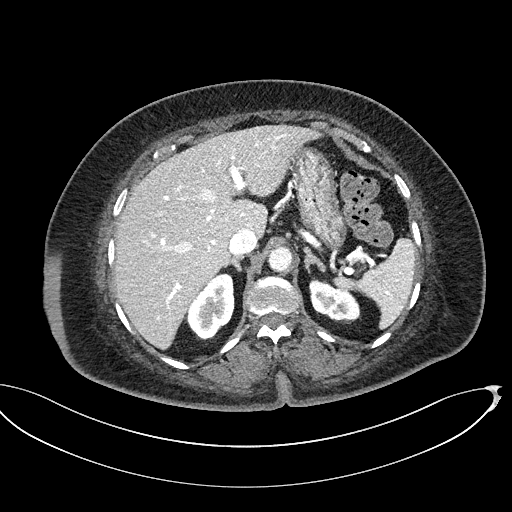
Abdominal CT with intravenous contrast, axial plane, 100 kVp, kernel I40f. Slice 355/439 from the bottom of the scan; thickness 2.00 mm; pixel size 0.850 mm.
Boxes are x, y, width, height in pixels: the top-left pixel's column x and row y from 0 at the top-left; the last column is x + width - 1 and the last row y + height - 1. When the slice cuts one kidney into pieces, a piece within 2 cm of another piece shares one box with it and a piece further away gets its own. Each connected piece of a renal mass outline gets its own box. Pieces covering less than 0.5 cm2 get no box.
Two kidney boxes on this slice; by box centre, from the image's left to its right: (1) Box x 187, y 273, width 48, height 68: right kidney (outlined area 2,272 px, about 16.4 cm2). (2) Box x 309, y 278, width 52, height 46: left kidney (outlined area 1,589 px, about 11.5 cm2). This slice carries no renal mass outline.